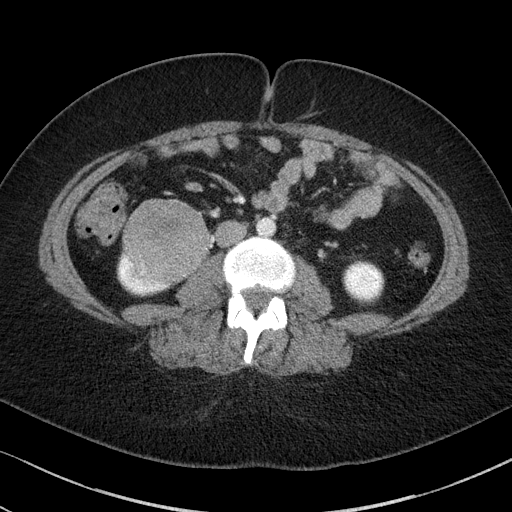
Axial slice 45 of 85 of a contrast-enhanced abdominal CT in the arterial phase (slice 1 is the lowest), 100 kVp, kernel I41f; 5.00 mm slice thickness and 0.664 mm pixels.
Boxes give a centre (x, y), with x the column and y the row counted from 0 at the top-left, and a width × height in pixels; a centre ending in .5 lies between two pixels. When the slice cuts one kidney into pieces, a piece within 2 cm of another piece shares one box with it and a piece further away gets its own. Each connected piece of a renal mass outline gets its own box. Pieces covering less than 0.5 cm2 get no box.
Three boxes on this slice (two kidney boxes and one renal mass box), listed by box centre from the image's left to its right. (1) Box centre (145, 274), 59 × 47 pixels: right kidney (outlined area 1,014 px, about 4.5 cm2). (2) Right renal mass in a box with centre (165.5, 241), 88 × 87 pixels (outlined area 5,980 px, about 26.4 cm2). (3) Left kidney, box centre (363, 282), 43 × 45 pixels (outlined area 1,474 px, about 6.5 cm2).